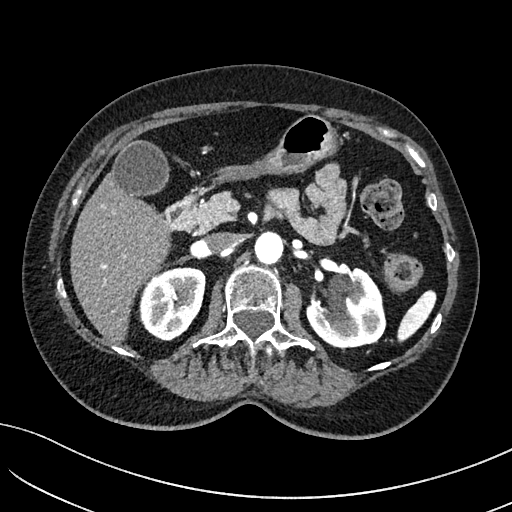
Arterial-phase contrast-enhanced abdominal CT, axial slice 82 of 234 (counted from the lowest slice); tube voltage 100 kVp, convolution kernel I40f; slices 2.00 mm thick, 0.699 mm per pixel.
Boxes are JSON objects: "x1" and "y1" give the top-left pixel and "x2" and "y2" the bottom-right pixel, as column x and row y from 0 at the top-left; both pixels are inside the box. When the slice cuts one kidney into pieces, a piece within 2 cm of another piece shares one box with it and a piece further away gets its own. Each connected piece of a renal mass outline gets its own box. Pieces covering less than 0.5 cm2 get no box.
Two kidney boxes on this slice; by box centre, from the image's left to its right: (1) Right kidney at {"x1": 138, "y1": 267, "x2": 205, "y2": 340} (outlined area 3,769 px, about 18.4 cm2). (2) Box {"x1": 306, "y1": 267, "x2": 386, "y2": 347}: left kidney (outlined area 4,560 px, about 22.3 cm2). This slice carries no renal mass outline.